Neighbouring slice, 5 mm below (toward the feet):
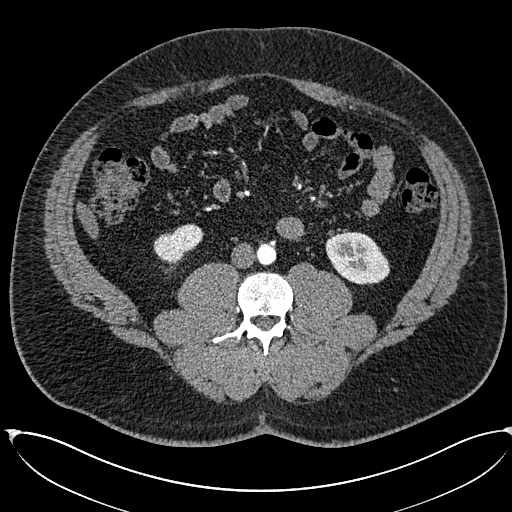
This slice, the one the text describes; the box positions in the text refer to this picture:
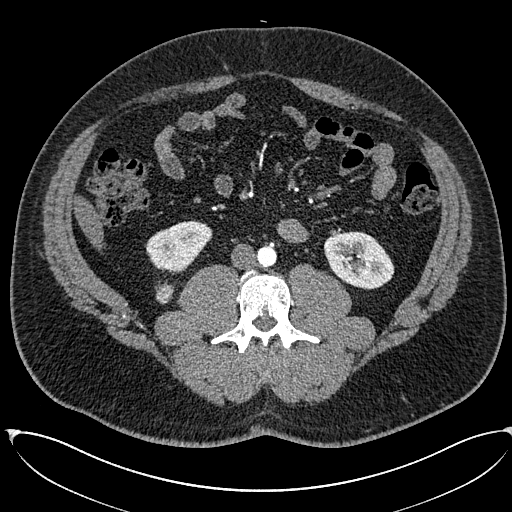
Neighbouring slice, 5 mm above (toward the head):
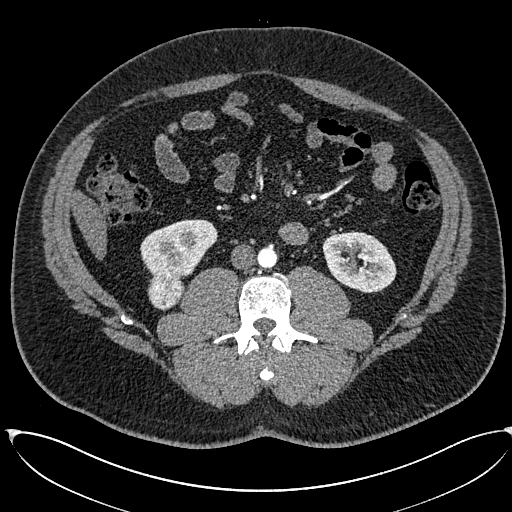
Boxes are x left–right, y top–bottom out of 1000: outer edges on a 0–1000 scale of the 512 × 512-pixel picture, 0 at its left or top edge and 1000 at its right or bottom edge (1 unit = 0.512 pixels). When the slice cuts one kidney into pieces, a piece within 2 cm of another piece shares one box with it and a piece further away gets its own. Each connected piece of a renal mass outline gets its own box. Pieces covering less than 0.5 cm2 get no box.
Arterial-phase contrast-enhanced abdominal CT, axial slice 262 of 673 (counted from the lowest slice); 1.00 mm thick, 0.855 mm per pixel. Boxed on this slice (two kidney boxes and one renal mass box), listed by box centre from the image's left to its right: (1) Box x 303–342, y 551–596 out of 1000: right renal mass (outlined area 328 px, about 2.4 cm2); it sits over 1 cm from every kidney outline on this slice, but the same outlined renal mass comes within 1 cm of the kidney on another slice. (2) Box x 283–416, y 430–533 out of 1000: right kidney (outlined area 2,423 px, about 17.7 cm2). (3) Box x 633–771, y 451–566 out of 1000: left kidney (outlined area 3,040 px, about 22.2 cm2). This slice is near the end of the right renal mass toward the feet, so the slices 5 mm below and 5 mm above it are shown as well; the boxes refer to this slice only.
Tube voltage 120 kVp; convolution kernel I30f.